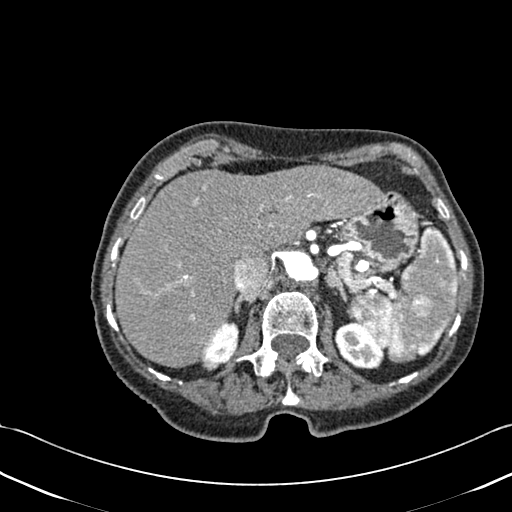
Contrast-enhanced abdominal CT, axial slice 329 of 433 (counted from the lowest slice); tube voltage 120 kVp, convolution kernel B30f; slices 1.00 mm thick, 0.672 mm per pixel.
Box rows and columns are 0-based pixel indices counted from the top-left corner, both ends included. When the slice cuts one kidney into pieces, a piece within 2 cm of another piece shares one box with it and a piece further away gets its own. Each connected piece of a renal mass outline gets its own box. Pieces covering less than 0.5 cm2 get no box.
Boxed on this slice (two kidney boxes), listed by box centre from the image's left to its right: (1) Box rows 320–371, columns 202–239: right kidney (outlined area 1,234 px, about 5.6 cm2). (2) Left kidney, box rows 320–369, columns 334–384 (outlined area 1,692 px, about 7.6 cm2). No renal mass outline on this slice.